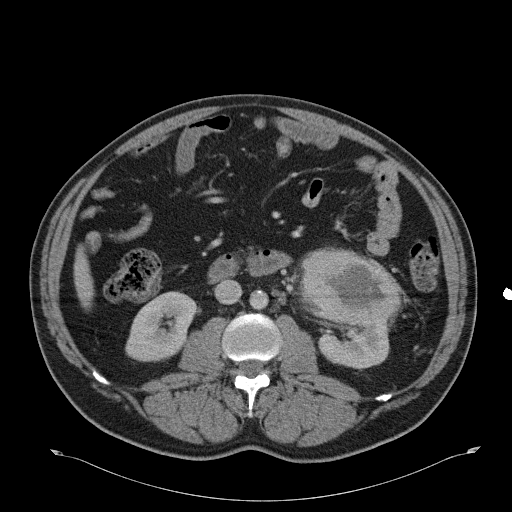
Axial slice 17 of 51 of a contrast-enhanced abdominal CT (slice 1 is the lowest), 120 kVp, kernel B31f; 5.00 mm slice thickness and 0.865 mm pixels.
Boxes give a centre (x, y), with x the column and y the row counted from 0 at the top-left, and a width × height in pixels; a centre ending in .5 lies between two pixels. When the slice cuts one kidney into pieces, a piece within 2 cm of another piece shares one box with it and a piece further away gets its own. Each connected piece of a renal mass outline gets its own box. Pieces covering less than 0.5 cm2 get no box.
Two kidney boxes and one renal mass box on this slice; by box centre, from the image's left to its right: (1) Right kidney in a box with centre (160.5, 326), 72 × 71 pixels (outlined area 3,596 px, about 26.9 cm2). (2) Left renal mass in a box with centre (352, 287.5), 101 × 76 pixels (outlined area 5,648 px, about 42.3 cm2). (3) Left kidney, box centre (353.5, 344), 72 × 49 pixels (outlined area 2,564 px, about 19.2 cm2).